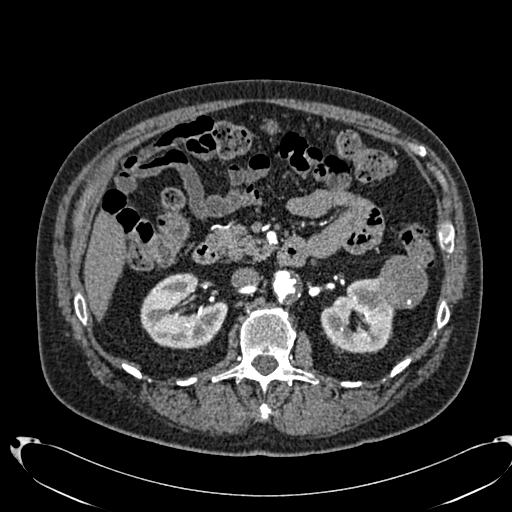
Abdominal CT with intravenous contrast, arterial phase, axial plane, 120 kVp, kernel B20f. Slice 430/553 from the bottom of the scan; thickness 1.00 mm; pixel size 0.773 mm.
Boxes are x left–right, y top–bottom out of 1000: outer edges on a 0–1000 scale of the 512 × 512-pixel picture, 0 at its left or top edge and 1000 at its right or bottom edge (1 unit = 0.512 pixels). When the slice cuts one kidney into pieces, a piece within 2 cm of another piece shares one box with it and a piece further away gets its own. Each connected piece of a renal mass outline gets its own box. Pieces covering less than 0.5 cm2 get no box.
Three boxes on this slice (two kidney boxes and one renal mass box), listed by box centre from the image's left to its right. (1) Box x 273–445, y 533–684 out of 1000: right kidney (outlined area 4,737 px, about 28.3 cm2). (2) Left kidney, box x 625–773, y 541–691 out of 1000 (outlined area 3,847 px, about 23.0 cm2). (3) Left renal mass, box x 738–836, y 498–604 out of 1000 (outlined area 2,140 px, about 12.8 cm2).